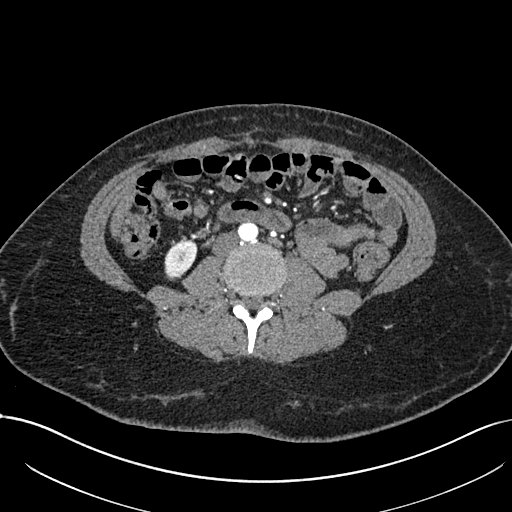
One axial slice (312 of 738, counting up from the lowest) of an arterial-phase abdominal CT acquired with 120 kVp, kernel I30f; each pixel is 0.789 mm and the slice is 1.00 mm thick.
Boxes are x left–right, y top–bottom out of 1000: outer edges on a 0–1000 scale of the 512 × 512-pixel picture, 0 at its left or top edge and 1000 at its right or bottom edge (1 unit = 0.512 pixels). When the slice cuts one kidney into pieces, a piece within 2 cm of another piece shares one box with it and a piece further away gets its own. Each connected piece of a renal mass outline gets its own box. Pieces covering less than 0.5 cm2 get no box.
Right kidney, box x 320–387, y 465–547 out of 1000 (outlined area 1,014 px, about 6.3 cm2). This slice carries no renal mass outline.